Contrast-enhanced abdominal CT, axial slice 69 of 107 (counted from the lowest slice); tube voltage 120 kVp, convolution kernel B31f; slices 5.00 mm thick, 0.941 mm per pixel.
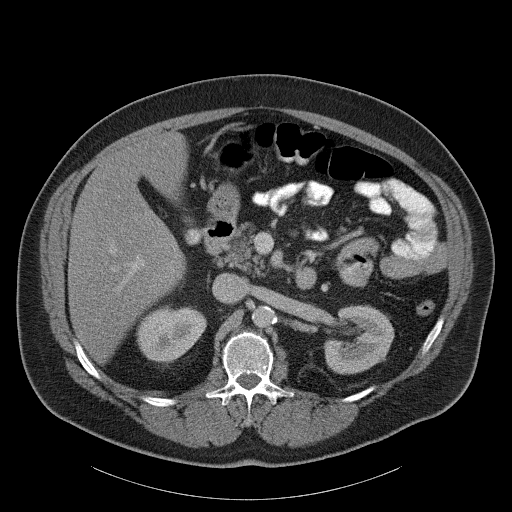
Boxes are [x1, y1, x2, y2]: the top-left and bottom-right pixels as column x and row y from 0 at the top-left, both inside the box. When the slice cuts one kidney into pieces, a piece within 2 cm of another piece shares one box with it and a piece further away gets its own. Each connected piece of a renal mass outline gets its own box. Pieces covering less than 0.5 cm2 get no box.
Boxed on this slice (two kidney boxes), listed by box centre from the image's left to its right: (1) Right kidney at [136, 305, 206, 363] (outlined area 3,036 px, about 26.9 cm2). (2) Left kidney at [322, 305, 394, 374] (outlined area 3,637 px, about 32.2 cm2). No renal mass outline on this slice.